One axial slice (428 of 532, counting up from the lowest) of an arterial-phase abdominal CT acquired with 120 kVp, kernel B30f; each pixel is 0.713 mm and the slice is 1.00 mm thick.
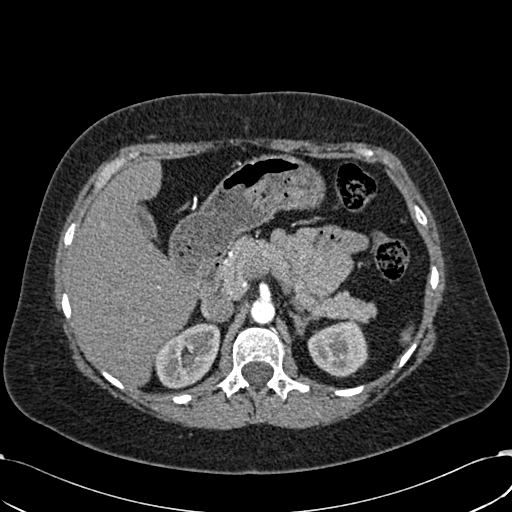
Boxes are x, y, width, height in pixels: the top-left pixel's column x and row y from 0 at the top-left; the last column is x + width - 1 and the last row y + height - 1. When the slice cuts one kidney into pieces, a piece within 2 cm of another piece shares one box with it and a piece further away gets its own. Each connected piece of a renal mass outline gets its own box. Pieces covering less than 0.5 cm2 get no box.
Boxed on this slice (two kidney boxes), listed by box centre from the image's left to its right: (1) Right kidney at x 153, y 323, width 68, height 67 (outlined area 3,178 px, about 16.2 cm2). (2) Left kidney, box x 307, y 321, width 62, height 56 (outlined area 2,587 px, about 13.1 cm2). This slice carries no renal mass outline.